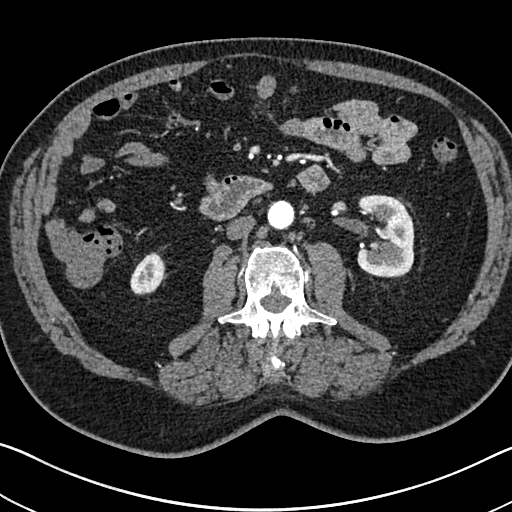
Axial slice 361 of 705 of a contrast-enhanced abdominal CT in the arterial phase (slice 1 is the lowest), 120 kVp, kernel I30f; 1.00 mm slice thickness and 0.703 mm pixels.
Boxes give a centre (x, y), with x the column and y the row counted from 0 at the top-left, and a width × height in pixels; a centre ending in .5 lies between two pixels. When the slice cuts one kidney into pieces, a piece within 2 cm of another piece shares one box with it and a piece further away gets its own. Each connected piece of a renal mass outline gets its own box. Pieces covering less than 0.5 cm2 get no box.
Two kidney boxes on this slice; by box centre, from the image's left to its right: (1) Right kidney in a box with centre (146.5, 273), 34 × 43 pixels (outlined area 1,052 px, about 5.2 cm2). (2) Left kidney, box centre (385, 235.5), 59 × 84 pixels (outlined area 3,933 px, about 19.4 cm2). No renal mass is outlined on this slice.